Axial slice 28 of 69 of a contrast-enhanced abdominal CT in the arterial phase (slice 1 is the lowest), 120 kVp, kernel STANDARD; 2.50 mm slice thickness and 0.846 mm pixels.
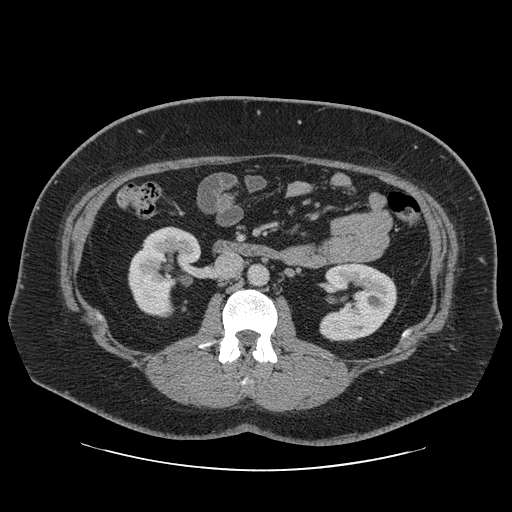
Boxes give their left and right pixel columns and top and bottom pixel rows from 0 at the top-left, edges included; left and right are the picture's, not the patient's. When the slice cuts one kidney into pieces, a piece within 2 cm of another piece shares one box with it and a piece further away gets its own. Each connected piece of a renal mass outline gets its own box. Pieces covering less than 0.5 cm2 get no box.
Two boxes on this slice (two kidney boxes), listed by box centre from the image's left to its right. (1) Right kidney in the box with left 128, top 226, right 201, bottom 317 (outlined area 4,455 px, about 31.9 cm2). (2) Box with left 319, top 263, right 397, bottom 341: left kidney (outlined area 4,566 px, about 32.7 cm2). This slice carries no renal mass outline.